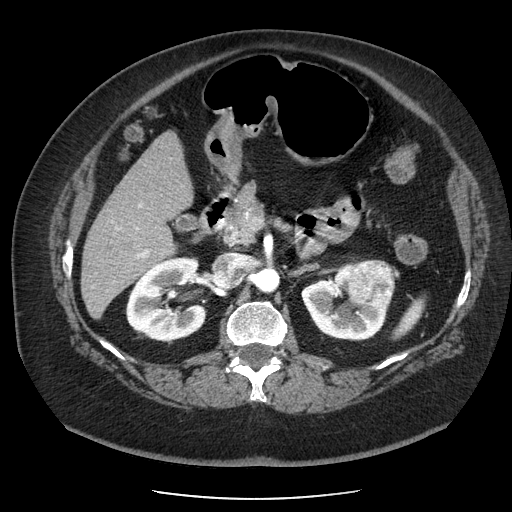
One axial slice (130 of 186, counting up from the lowest) of an arterial-phase abdominal CT acquired with 120 kVp, kernel STANDARD; each pixel is 0.742 mm and the slice is 2.50 mm thick.
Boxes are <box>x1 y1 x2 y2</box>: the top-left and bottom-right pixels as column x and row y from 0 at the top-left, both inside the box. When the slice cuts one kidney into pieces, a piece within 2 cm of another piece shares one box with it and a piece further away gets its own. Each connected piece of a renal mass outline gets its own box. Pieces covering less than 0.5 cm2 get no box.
Three boxes on this slice (two kidney boxes and one renal mass box), listed by box centre from the image's left to its right. (1) At <box>125 256 206 341</box>: right kidney (outlined area 5,302 px, about 29.2 cm2). (2) At <box>301 262 389 341</box>: left kidney (outlined area 3,575 px, about 19.7 cm2). (3) Left renal mass: <box>347 259 395 307</box> (outlined area 2,038 px, about 11.2 cm2).